One axial slice (378 of 581, counting up from the lowest) of an arterial-phase abdominal CT acquired with 120 kVp, kernel B30f; each pixel is 0.713 mm and the slice is 1.00 mm thick.
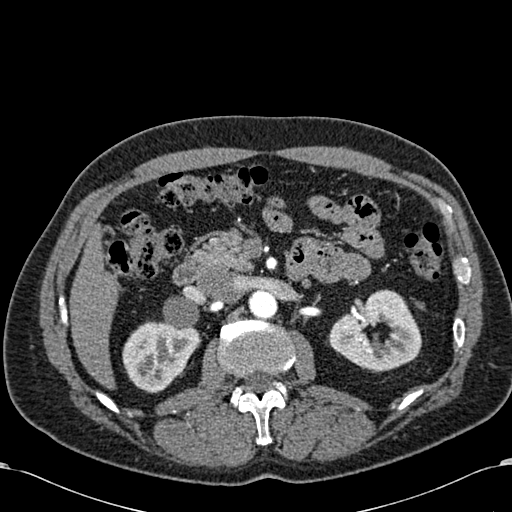
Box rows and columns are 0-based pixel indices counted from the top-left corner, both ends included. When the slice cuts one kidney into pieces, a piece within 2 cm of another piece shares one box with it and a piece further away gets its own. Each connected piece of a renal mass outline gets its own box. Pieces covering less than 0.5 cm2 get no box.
Boxed on this slice (two kidney boxes), listed by box centre from the image's left to its right: (1) Right kidney at rows 321–393, columns 122–201 (outlined area 4,023 px, about 20.4 cm2). (2) Left kidney at rows 289–371, columns 328–421 (outlined area 5,139 px, about 26.1 cm2). This slice carries no renal mass outline.